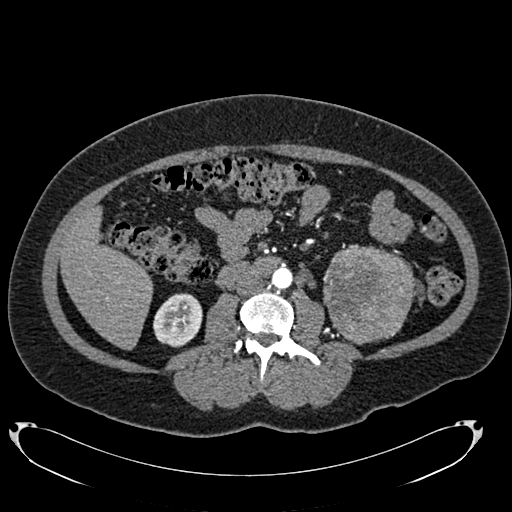
One axial slice (358 of 634, counting up from the lowest) of an arterial-phase abdominal CT acquired with 120 kVp, kernel B20f; each pixel is 0.838 mm and the slice is 1.00 mm thick.
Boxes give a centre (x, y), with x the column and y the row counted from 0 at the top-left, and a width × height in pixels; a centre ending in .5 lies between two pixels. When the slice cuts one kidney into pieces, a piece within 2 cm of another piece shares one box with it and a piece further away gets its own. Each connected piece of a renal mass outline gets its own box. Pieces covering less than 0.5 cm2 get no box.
Two boxes on this slice (one kidney box and one renal mass box), listed by box centre from the image's left to its right. (1) Box centre (177.5, 320), 50 × 55 pixels: right kidney (outlined area 2,080 px, about 14.6 cm2). (2) Left renal mass, box centre (368.5, 294), 92 × 101 pixels (outlined area 7,176 px, about 50.4 cm2); it sits over 1 cm from every kidney outline on this slice, but the same outlined renal mass comes within 1 cm of the kidney on another slice.